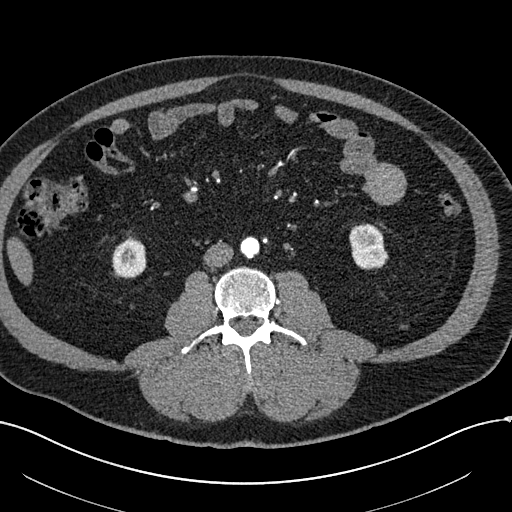
One axial slice (220 of 602, counting up from the lowest) of an arterial-phase abdominal CT acquired with 120 kVp, kernel I30f; each pixel is 0.799 mm and the slice is 1.00 mm thick.
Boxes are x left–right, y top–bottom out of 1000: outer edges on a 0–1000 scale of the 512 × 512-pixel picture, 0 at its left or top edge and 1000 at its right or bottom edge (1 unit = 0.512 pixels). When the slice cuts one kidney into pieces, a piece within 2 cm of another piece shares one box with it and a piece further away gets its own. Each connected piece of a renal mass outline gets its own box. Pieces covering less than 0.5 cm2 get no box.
Two kidney boxes on this slice; by box centre, from the image's left to its right: (1) Box x 219–287, y 459–545 out of 1000: right kidney (outlined area 1,178 px, about 7.5 cm2). (2) Left kidney, box x 682–760, y 436–527 out of 1000 (outlined area 1,430 px, about 9.1 cm2). This slice carries no renal mass outline.